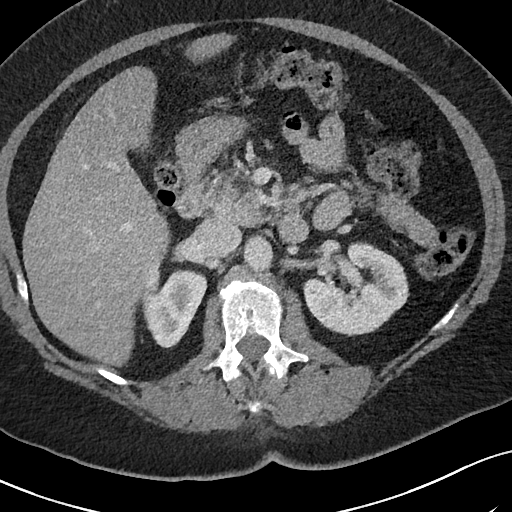
One axial slice (48 of 69, counting up from the lowest) of an arterial-phase abdominal CT acquired with 120 kVp, kernel I40f; each pixel is 0.664 mm and the slice is 3.00 mm thick.
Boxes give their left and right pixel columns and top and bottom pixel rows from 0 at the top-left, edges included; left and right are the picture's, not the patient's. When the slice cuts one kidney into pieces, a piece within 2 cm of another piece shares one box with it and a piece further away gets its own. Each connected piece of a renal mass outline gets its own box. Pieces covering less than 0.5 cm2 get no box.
Boxed on this slice (two kidney boxes), listed by box centre from the image's left to its right: (1) Box with left 142, top 269, right 207, bottom 348: right kidney (outlined area 3,405 px, about 15.0 cm2). (2) Left kidney in the box with left 303, top 241, right 409, bottom 336 (outlined area 6,963 px, about 30.7 cm2). No renal mass is outlined on this slice.